Abdominal CT with intravenous contrast, arterial phase, axial plane, 100 kVp, kernel I26f. Slice 504/665 from the bottom of the scan; thickness 1.00 mm; pixel size 0.828 mm.
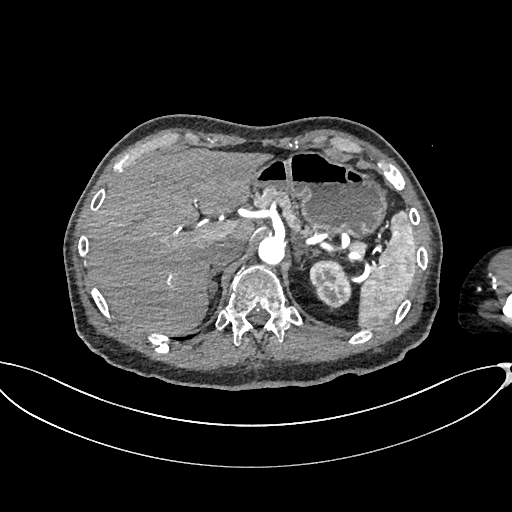
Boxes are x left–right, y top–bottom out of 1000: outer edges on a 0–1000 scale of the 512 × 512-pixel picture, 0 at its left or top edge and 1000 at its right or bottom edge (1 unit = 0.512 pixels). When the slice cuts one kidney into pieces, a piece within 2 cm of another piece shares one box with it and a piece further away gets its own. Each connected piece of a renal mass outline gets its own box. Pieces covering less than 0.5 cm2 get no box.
Left kidney at x 604–688, y 506–609 out of 1000 (outlined area 1,608 px, about 11.0 cm2). No renal mass is outlined on this slice.